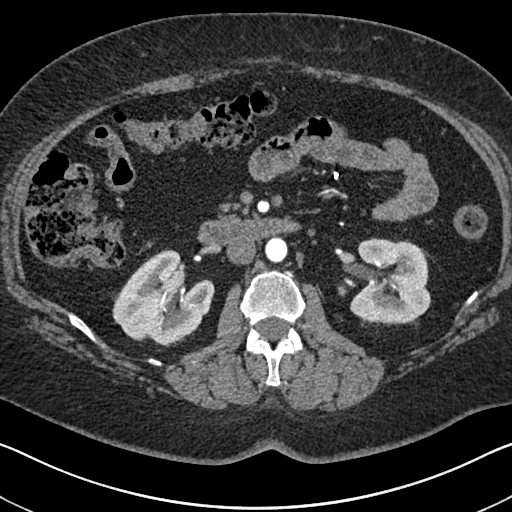
One axial slice (391 of 591, counting up from the lowest) of an arterial-phase abdominal CT acquired with 140 kVp, kernel I30f; each pixel is 0.703 mm and the slice is 1.00 mm thick.
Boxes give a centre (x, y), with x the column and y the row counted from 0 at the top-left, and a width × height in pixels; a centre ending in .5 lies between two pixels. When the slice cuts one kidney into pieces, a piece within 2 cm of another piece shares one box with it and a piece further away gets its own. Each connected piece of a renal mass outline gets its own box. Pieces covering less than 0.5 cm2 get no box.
Boxed on this slice (two kidney boxes), listed by box centre from the image's left to its right: (1) Right kidney in a box with centre (163, 297), 103 × 97 pixels (outlined area 6,491 px, about 32.1 cm2). (2) Box centre (390, 280.5), 81 × 86 pixels: left kidney (outlined area 5,615 px, about 27.8 cm2). This slice carries no renal mass outline.